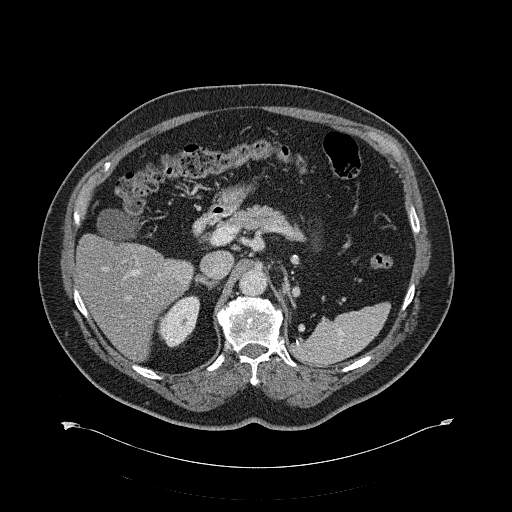
One axial slice (420 of 734, counting up from the lowest) of a contrast-enhanced abdominal CT acquired with 120 kVp, kernel B31f; each pixel is 0.971 mm and the slice is 2.00 mm thick.
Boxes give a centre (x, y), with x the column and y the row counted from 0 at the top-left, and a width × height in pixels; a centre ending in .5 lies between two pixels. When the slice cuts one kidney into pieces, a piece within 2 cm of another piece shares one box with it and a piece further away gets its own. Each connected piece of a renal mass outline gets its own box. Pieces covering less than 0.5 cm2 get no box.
Right kidney, box centre (179, 321), 43 × 53 pixels (outlined area 1,498 px, about 14.1 cm2). No renal mass is outlined on this slice.